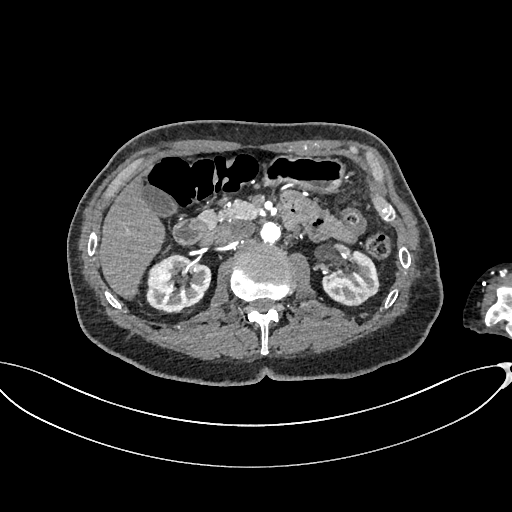
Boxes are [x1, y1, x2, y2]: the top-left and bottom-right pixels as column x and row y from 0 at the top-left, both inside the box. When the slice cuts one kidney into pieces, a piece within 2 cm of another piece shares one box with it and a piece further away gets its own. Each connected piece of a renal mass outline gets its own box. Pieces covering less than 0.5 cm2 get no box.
Arterial-phase contrast-enhanced abdominal CT, axial slice 411 of 665 (counted from the lowest slice); 1.00 mm thick, 0.828 mm per pixel. Two boxes on this slice (two kidney boxes), listed by box centre from the image's left to its right. (1) Right kidney at [146, 254, 211, 313] (outlined area 3,018 px, about 20.7 cm2). (2) Left kidney, box [321, 250, 380, 306] (outlined area 2,311 px, about 15.8 cm2). This slice carries no renal mass outline.
Tube voltage 100 kVp; convolution kernel I26f.